Abdominal CT with intravenous contrast, arterial phase, axial plane, 120 kVp, kernel B30f. Slice 401/581 from the bottom of the scan; thickness 1.00 mm; pixel size 0.713 mm.
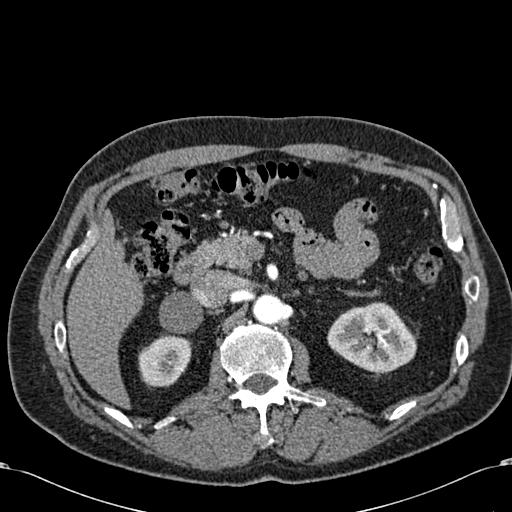
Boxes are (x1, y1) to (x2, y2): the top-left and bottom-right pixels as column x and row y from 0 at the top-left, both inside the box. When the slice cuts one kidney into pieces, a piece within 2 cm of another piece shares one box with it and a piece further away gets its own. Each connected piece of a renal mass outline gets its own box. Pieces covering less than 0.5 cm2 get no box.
Two boxes on this slice (two kidney boxes), listed by box centre from the image's left to its right. (1) Box (138, 334) to (191, 386): right kidney (outlined area 2,189 px, about 11.1 cm2). (2) Left kidney, box (327, 302) to (416, 373) (outlined area 4,630 px, about 23.5 cm2). This slice carries no renal mass outline.